Abdominal CT with intravenous contrast, arterial phase, axial plane, 100 kVp, kernel I40f. Slice 95/234 from the bottom of the scan; thickness 2.00 mm; pixel size 0.699 mm.
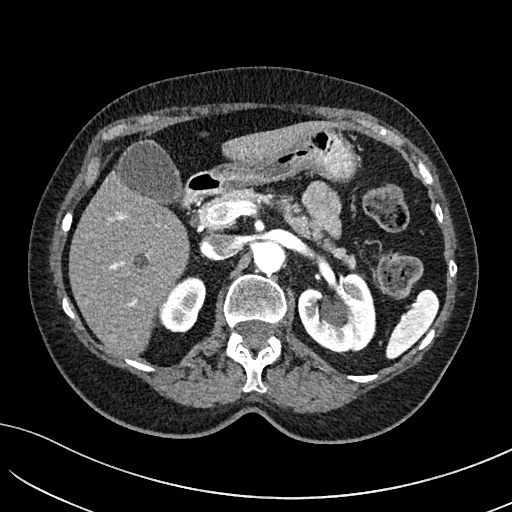
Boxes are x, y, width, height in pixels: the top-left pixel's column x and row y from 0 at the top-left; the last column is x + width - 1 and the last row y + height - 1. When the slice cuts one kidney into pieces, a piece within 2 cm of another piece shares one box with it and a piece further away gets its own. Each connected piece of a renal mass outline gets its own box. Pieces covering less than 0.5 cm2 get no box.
Two kidney boxes on this slice; by box centre, from the image's left to its right: (1) Right kidney at x 158, y 276, width 49, height 57 (outlined area 1,914 px, about 9.4 cm2). (2) Left kidney, box x 298, y 272, width 78, height 83 (outlined area 4,678 px, about 22.9 cm2). This slice carries no renal mass outline.